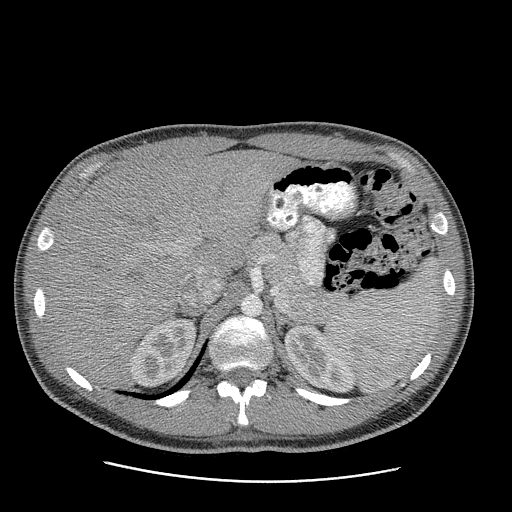
Axial slice 166 of 199 of a contrast-enhanced abdominal CT in the arterial phase (slice 1 is the lowest), 120 kVp, kernel STANDARD; 2.50 mm slice thickness and 0.789 mm pixels.
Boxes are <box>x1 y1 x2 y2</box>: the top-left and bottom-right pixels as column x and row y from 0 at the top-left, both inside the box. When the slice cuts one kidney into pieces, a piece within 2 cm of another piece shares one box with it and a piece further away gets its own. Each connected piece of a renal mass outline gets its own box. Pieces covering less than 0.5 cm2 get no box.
Two boxes on this slice (two kidney boxes), listed by box centre from the image's left to its right. (1) At <box>132 317 196 387</box>: right kidney (outlined area 3,266 px, about 20.3 cm2). (2) Left kidney at <box>284 325 355 393</box> (outlined area 3,166 px, about 19.7 cm2). No renal mass outline on this slice.